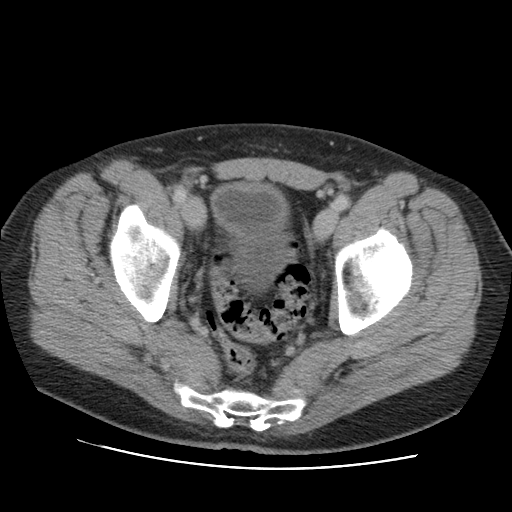
Slice 27/105 of a contrast-enhanced abdominal CT in the arterial phase, counting up from the lowest; pixel size 0.707 mm, slice thickness 5.00 mm. No kidney and no renal mass is outlined on this slice; the outlines in this scan cover only the kidneys and the renal masses, so nothing is said about any other organ.
Acquired at 120 kVp and reconstructed with the STANDARD kernel.